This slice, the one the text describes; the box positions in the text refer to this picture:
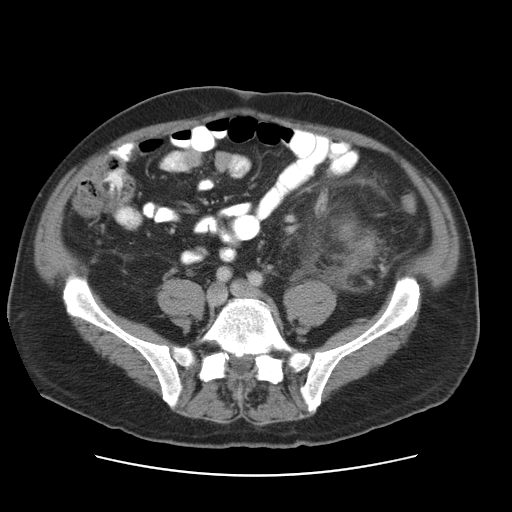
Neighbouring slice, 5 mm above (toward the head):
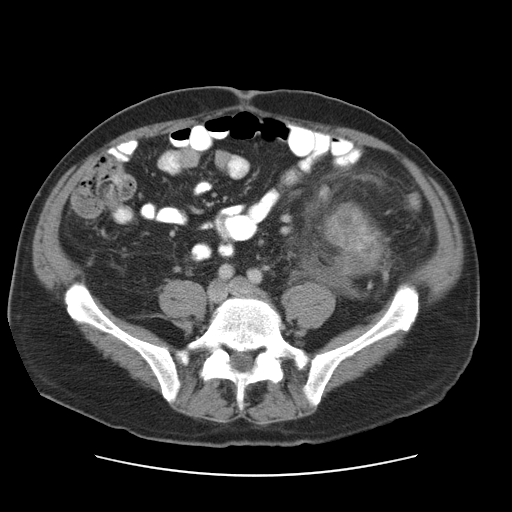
Contrast-enhanced abdominal CT, axial slice 40 of 95 (counted from the lowest slice); tube voltage 120 kVp, convolution kernel STANDARD; slices 5.00 mm thick, 0.781 mm per pixel.
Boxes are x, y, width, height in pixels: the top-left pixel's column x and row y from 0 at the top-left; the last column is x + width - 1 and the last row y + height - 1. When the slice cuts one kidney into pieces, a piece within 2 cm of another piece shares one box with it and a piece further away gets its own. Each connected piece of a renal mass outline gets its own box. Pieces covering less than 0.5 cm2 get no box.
Left renal mass at x 330, y 218, width 53, height 39 (outlined area 1,288 px, about 7.9 cm2); this slice has no kidney outline, though on another slice the same outlined renal mass lies within 1 cm of the kidney. This slice lies near the end of the left renal mass toward the feet; the slice 5 mm above it is shown too, and the boxes mark positions on this slice only.